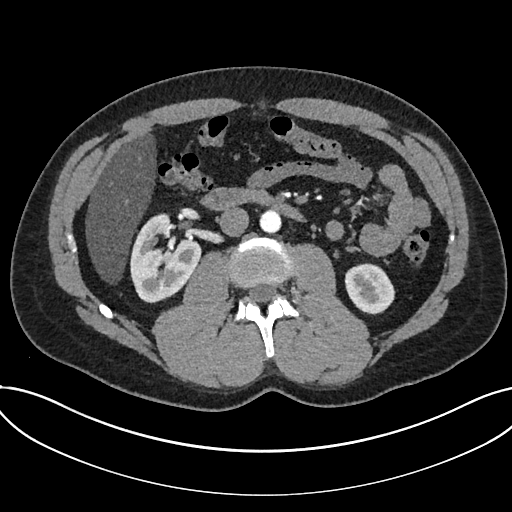
Abdominal CT with intravenous contrast, arterial phase, axial plane, 120 kVp, kernel I30f. Slice 382/735 from the bottom of the scan; thickness 1.00 mm; pixel size 0.789 mm.
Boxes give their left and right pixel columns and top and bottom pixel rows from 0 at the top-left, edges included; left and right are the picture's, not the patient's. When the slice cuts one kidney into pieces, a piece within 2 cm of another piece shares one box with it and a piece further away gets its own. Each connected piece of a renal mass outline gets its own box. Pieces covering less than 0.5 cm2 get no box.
Boxed on this slice (two kidney boxes), listed by box centre from the image's left to its right: (1) Kidney in the box with left 130, top 213, right 200, bottom 303 (outlined area 4,366 px, about 27.2 cm2). (2) Box with left 344, top 263, right 395, bottom 314: kidney (outlined area 1,978 px, about 12.3 cm2). This slice carries no renal mass outline.